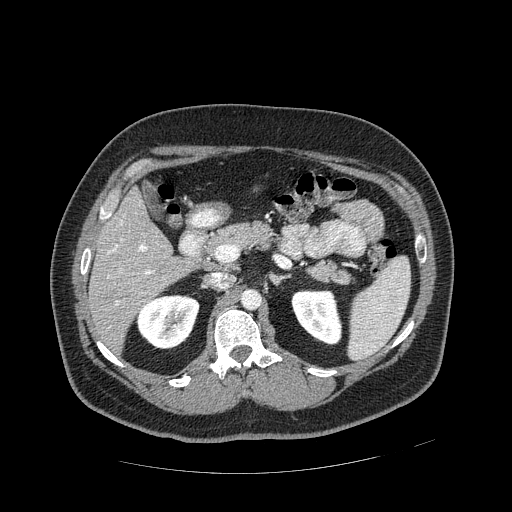
One axial slice (278 of 389, counting up from the lowest) of an arterial-phase abdominal CT acquired with 120 kVp, kernel STANDARD; each pixel is 0.869 mm and the slice is 1.25 mm thick.
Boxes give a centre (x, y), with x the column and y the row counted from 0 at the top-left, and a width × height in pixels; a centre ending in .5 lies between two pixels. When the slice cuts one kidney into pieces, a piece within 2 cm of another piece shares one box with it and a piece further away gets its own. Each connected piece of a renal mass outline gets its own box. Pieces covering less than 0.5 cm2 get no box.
Boxed on this slice (two kidney boxes), listed by box centre from the image's left to its right: (1) Right kidney, box centre (167, 321.5), 65 × 56 pixels (outlined area 2,705 px, about 20.4 cm2). (2) Box centre (316.5, 317), 52 × 57 pixels: left kidney (outlined area 2,172 px, about 16.4 cm2). No renal mass is outlined on this slice.